Axial slice 377 of 705 of a contrast-enhanced abdominal CT in the arterial phase (slice 1 is the lowest), 120 kVp, kernel I30f; 1.00 mm slice thickness and 0.703 mm pixels.
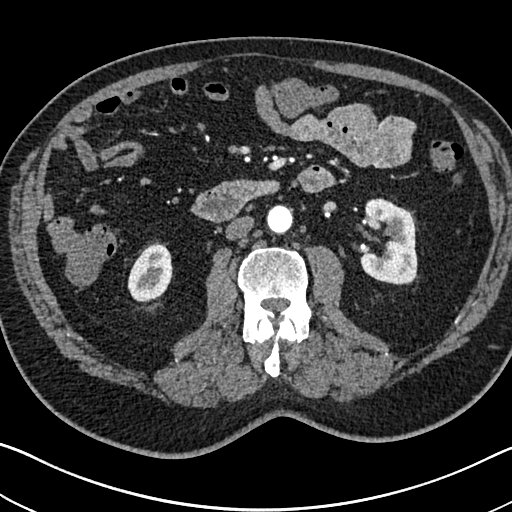
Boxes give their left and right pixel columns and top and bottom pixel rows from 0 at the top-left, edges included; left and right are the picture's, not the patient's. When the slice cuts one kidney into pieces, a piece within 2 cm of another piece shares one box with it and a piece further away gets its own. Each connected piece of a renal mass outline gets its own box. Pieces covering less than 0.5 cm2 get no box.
Two boxes on this slice (two kidney boxes), listed by box centre from the image's left to its right. (1) Right kidney in the box with left 127, top 241, right 172, bottom 302 (outlined area 2,043 px, about 10.1 cm2). (2) Left kidney, the box with left 359, top 198, right 417, bottom 285 (outlined area 3,906 px, about 19.3 cm2). This slice carries no renal mass outline.